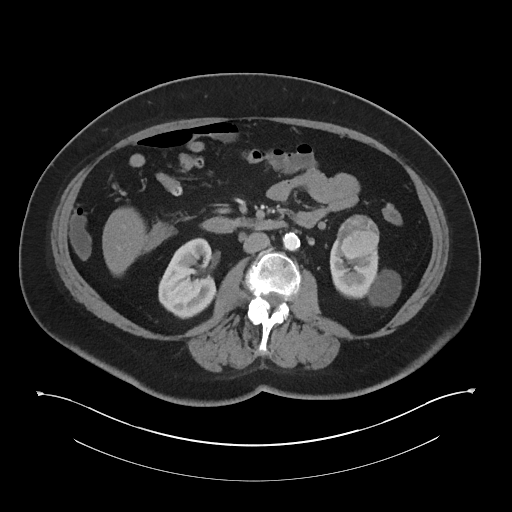
Abdominal CT with intravenous contrast, axial plane, 120 kVp, kernel I30f. Slice 19/60 from the bottom of the scan; thickness 5.00 mm; pixel size 0.971 mm.
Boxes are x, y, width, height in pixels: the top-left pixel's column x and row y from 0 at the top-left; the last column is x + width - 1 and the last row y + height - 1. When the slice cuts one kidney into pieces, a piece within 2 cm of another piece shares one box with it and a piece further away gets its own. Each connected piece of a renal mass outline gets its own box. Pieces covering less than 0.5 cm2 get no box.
Three boxes on this slice (two kidney boxes and one renal mass box), listed by box centre from the image's left to its right. (1) Right kidney at x 158, y 238, width 60, height 81 (outlined area 3,489 px, about 32.9 cm2). (2) Left renal mass at x 336, y 215, width 44, height 44 (outlined area 1,452 px, about 13.7 cm2). (3) Box x 329, y 240, width 72, height 67: left kidney (outlined area 2,792 px, about 26.3 cm2).